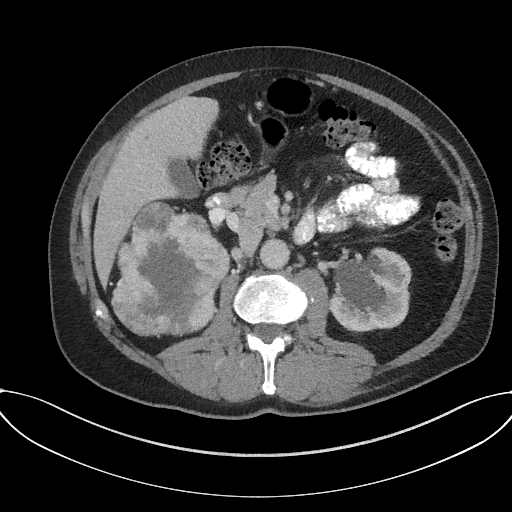
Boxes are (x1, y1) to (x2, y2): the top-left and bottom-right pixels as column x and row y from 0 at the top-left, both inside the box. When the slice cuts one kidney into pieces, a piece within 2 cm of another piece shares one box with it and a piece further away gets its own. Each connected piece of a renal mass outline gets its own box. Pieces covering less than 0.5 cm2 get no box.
Arterial-phase contrast-enhanced abdominal CT, axial slice 96 of 227 (counted from the lowest slice); 3.00 mm thick, 0.816 mm per pixel. Two boxes on this slice (one kidney box and one renal mass box), listed by box centre from the image's left to its right. (1) Box (111, 201) to (230, 336): right renal mass (outlined area 11,886 px, about 79.2 cm2); it sits over 1 cm from every kidney outline on this slice, but the same outlined renal mass comes within 1 cm of the kidney on another slice. (2) Left kidney, box (328, 247) to (411, 332) (outlined area 5,501 px, about 36.7 cm2).
Acquired at 120 kVp and reconstructed with the I31f kernel.